Abdominal CT with intravenous contrast, axial plane, 120 kVp, kernel B31f. Slice 58/90 from the bottom of the scan; thickness 5.00 mm; pixel size 0.707 mm.
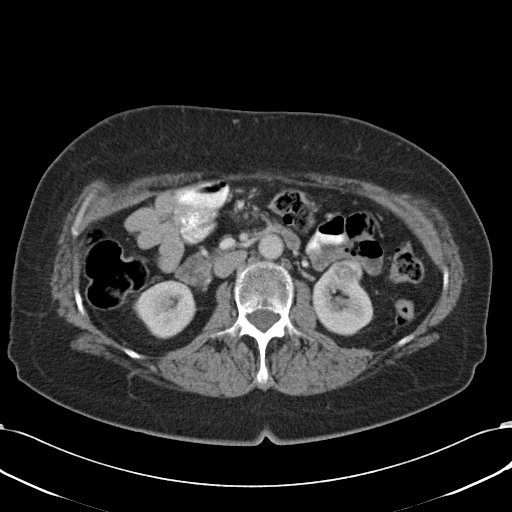
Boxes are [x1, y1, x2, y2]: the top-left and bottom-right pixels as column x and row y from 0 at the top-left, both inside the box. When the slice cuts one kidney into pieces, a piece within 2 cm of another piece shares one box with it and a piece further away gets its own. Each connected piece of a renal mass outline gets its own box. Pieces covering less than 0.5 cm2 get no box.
Boxed on this slice (two kidney boxes and one renal mass box), listed by box centre from the image's left to its right: (1) Box [138, 280, 196, 338]: right kidney (outlined area 2,534 px, about 12.7 cm2). (2) Box [314, 265, 371, 334]: left kidney (outlined area 2,652 px, about 13.3 cm2). (3) Left renal mass, box [333, 260, 361, 281] (outlined area 540 px, about 2.7 cm2).